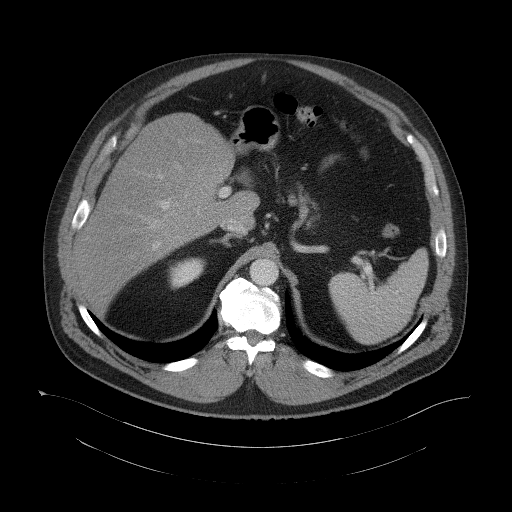
One axial slice (81 of 104, counting up from the lowest) of a contrast-enhanced abdominal CT acquired with 120 kVp, kernel B41f; each pixel is 0.977 mm and the slice is 5.00 mm thick.
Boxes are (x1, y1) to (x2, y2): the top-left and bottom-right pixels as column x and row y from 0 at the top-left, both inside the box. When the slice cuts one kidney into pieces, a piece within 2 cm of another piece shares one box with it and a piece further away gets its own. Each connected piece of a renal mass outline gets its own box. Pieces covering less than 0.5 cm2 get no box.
Right kidney, box (168, 257) to (205, 289) (outlined area 835 px, about 8.0 cm2). No renal mass outline on this slice.